Axial slice 61 of 85 of a contrast-enhanced abdominal CT in the arterial phase (slice 1 is the lowest), 120 kVp, kernel FC19; 5.00 mm slice thickness and 1.041 mm pixels.
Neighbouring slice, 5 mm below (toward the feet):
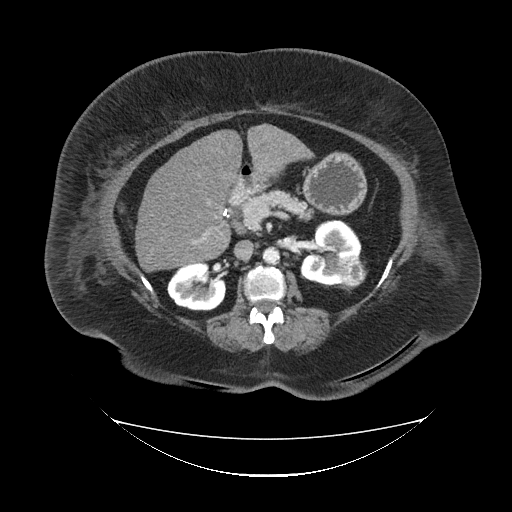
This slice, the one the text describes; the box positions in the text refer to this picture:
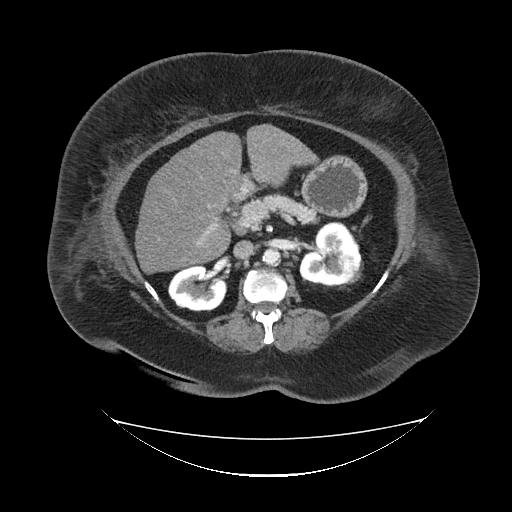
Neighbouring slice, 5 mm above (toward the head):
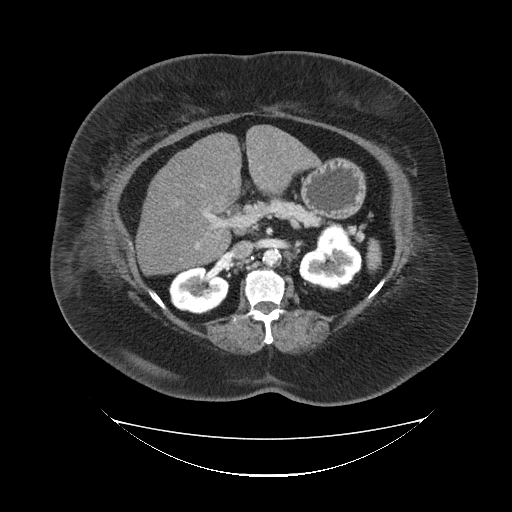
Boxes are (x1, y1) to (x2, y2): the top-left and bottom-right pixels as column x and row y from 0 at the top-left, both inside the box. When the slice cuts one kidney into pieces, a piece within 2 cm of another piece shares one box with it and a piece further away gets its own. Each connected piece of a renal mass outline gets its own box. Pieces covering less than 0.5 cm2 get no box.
Two kidney boxes and one renal mass box on this slice; by box centre, from the image's left to its right: (1) Right kidney, box (168, 266) to (226, 311) (outlined area 2,098 px, about 22.7 cm2). (2) Left kidney, box (299, 221) to (360, 285) (outlined area 2,947 px, about 31.9 cm2). (3) Left renal mass, box (346, 258) to (363, 284) (outlined area 132 px, about 1.4 cm2). This slice is near the end of the left renal mass toward the head, so the slices 5 mm below and 5 mm above it are shown as well; the boxes refer to this slice only.